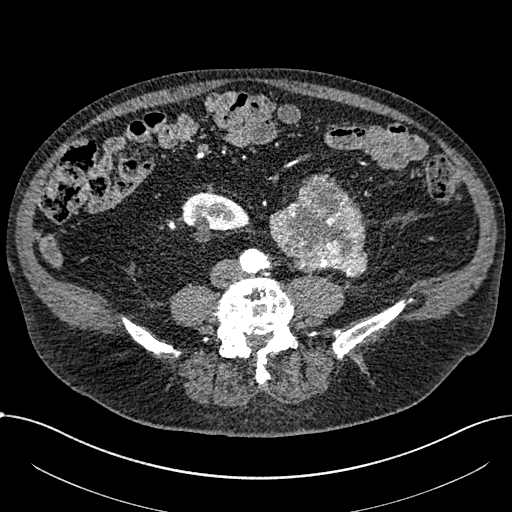
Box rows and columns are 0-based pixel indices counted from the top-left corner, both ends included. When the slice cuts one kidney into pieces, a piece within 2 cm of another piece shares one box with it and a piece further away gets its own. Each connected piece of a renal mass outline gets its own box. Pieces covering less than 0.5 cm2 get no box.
Arterial-phase contrast-enhanced abdominal CT, axial slice 223 of 1059 (counted from the lowest slice); 1.00 mm thick, 0.811 mm per pixel. One kidney box and one renal mass box on this slice; by box centre, from the image's left to its right: (1) Right part of the midline-crossing kidney, box rows 192–242, columns 182–249 (outlined area 2,199 px, about 14.4 cm2). (2) Renal mass, box rows 174–277, columns 269–367 (outlined area 7,100 px, about 46.6 cm2); on this slice it lies more than 1 cm from any kidney outline, but the same outlined renal mass comes within 1 cm of the kidney on another slice.
Acquired at 100 kVp and reconstructed with the I30f kernel.